Arterial-phase contrast-enhanced abdominal CT, axial slice 139 of 316 (counted from the lowest slice); tube voltage 100 kVp, convolution kernel I40f; slices 2.00 mm thick, 0.840 mm per pixel.
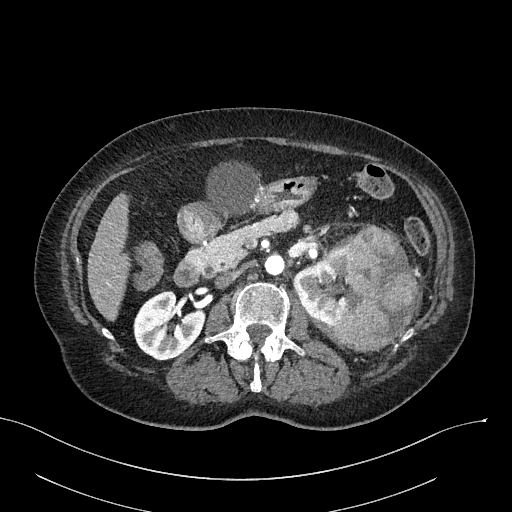
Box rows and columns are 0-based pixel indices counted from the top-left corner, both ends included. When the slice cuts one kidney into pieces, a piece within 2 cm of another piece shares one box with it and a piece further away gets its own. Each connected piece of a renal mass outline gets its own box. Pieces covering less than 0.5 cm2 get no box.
Two kidney boxes and one renal mass box on this slice; by box centre, from the image's left to its right: (1) Right kidney, box rows 290–360, columns 133–205 (outlined area 3,492 px, about 24.6 cm2). (2) Left kidney at rows 244–325, columns 293–352 (outlined area 2,980 px, about 21.0 cm2). (3) Left renal mass, box rows 224–351, columns 329–419 (outlined area 7,727 px, about 54.5 cm2).